Arterial-phase contrast-enhanced abdominal CT, axial slice 72 of 261 (counted from the lowest slice); tube voltage 120 kVp, convolution kernel I30f; slices 2.00 mm thick, 0.939 mm per pixel.
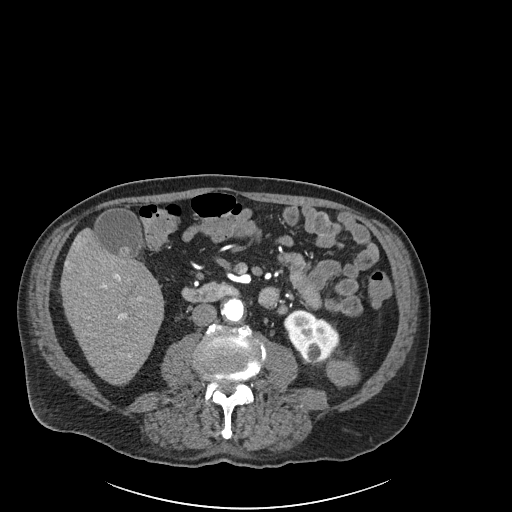
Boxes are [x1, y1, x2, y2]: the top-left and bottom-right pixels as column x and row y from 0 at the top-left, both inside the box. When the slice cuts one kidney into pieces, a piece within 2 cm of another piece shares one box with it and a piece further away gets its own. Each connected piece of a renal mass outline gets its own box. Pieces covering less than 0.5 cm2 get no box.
Two boxes on this slice (one kidney box and one renal mass box), listed by box centre from the image's left to its right. (1) Box [283, 309, 338, 363]: left kidney (outlined area 2,037 px, about 18.0 cm2). (2) Left renal mass at [326, 359, 359, 385] (outlined area 728 px, about 6.4 cm2).